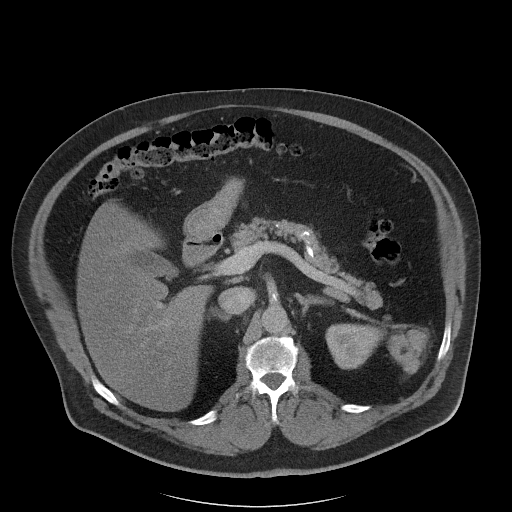
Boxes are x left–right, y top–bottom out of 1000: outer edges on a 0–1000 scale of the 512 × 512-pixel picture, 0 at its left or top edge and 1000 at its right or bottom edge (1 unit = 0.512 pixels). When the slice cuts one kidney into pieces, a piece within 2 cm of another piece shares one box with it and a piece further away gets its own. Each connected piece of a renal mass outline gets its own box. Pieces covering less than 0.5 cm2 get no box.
This is axial slice 70 of 102 (slice 1 is the lowest) of an abdominal CT with contrast; each pixel is 0.977 mm and the slice is 5.00 mm thick. One kidney box and one renal mass box on this slice; by box centre, from the image's left to its right: (1) Left kidney at x 635–750, y 631–723 out of 1000 (outlined area 1,962 px, about 18.7 cm2). (2) Box x 758–836, y 641–730 out of 1000: left renal mass (outlined area 1,221 px, about 11.6 cm2).
Scan settings: 120 kVp, I40f reconstruction kernel.